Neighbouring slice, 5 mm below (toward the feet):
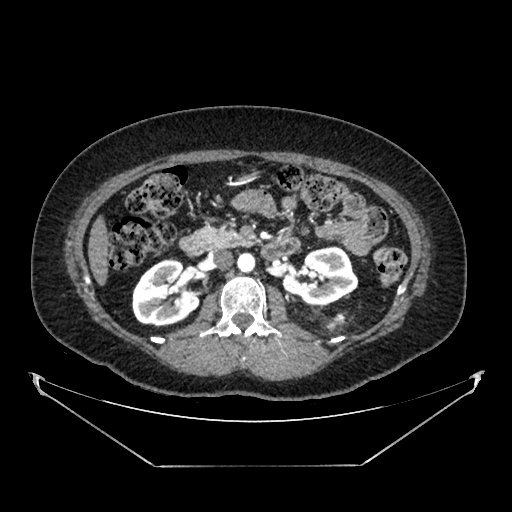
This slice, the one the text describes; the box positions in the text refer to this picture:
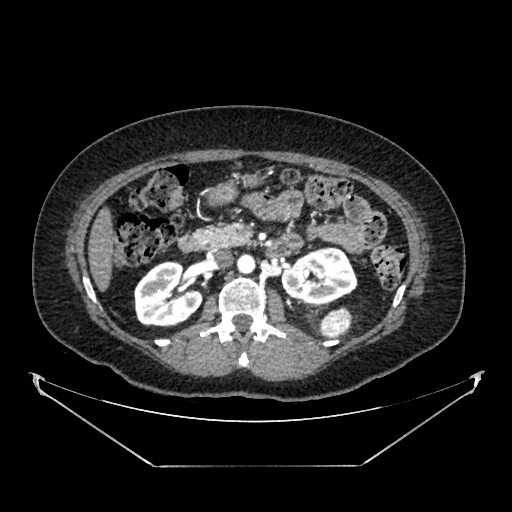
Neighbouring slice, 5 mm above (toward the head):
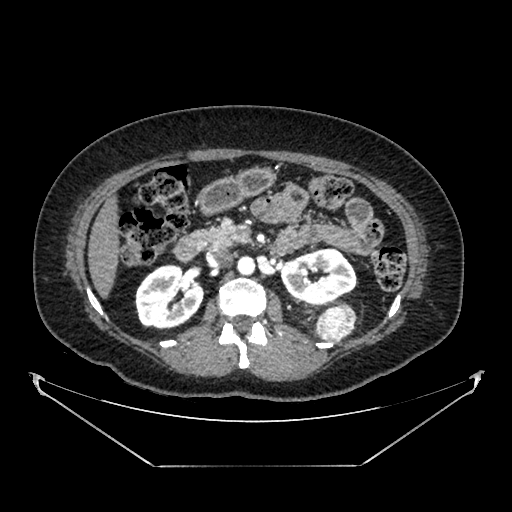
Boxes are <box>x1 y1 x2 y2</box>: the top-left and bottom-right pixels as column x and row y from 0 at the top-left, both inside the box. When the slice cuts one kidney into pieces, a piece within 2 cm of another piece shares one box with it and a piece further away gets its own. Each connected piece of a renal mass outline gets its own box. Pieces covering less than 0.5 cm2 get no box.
This is axial slice 232 of 383 (slice 1 is the lowest) of an arterial-phase abdominal CT with contrast; each pixel is 0.898 mm and the slice is 1.25 mm thick. Two kidney boxes and one renal mass box on this slice; by box centre, from the image's left to its right: (1) Right kidney at <box>134 261 203 327</box> (outlined area 3,471 px, about 28.0 cm2). (2) Left kidney: <box>281 247 357 304</box> (outlined area 3,313 px, about 26.7 cm2). (3) At <box>319 307 352 337</box>: left renal mass (outlined area 767 px, about 6.2 cm2). This slice lies near the end of the left renal mass toward the feet; the slices 5 mm below and 5 mm above it are shown too, and the boxes mark positions on this slice only.
Scan settings: 100 kVp, SOFT reconstruction kernel.